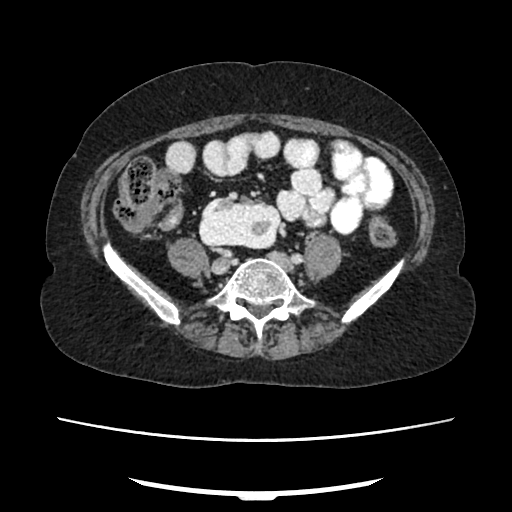
Axial slice 89 of 207 of a contrast-enhanced abdominal CT in the arterial phase (slice 1 is the lowest), 120 kVp, kernel FC18; 2.00 mm slice thickness and 0.741 mm pixels.
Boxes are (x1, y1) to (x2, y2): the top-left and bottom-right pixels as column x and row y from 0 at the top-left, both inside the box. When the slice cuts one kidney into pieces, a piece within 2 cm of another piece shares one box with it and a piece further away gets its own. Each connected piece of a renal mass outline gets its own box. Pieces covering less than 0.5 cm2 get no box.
Right kidney, box (198, 196) to (280, 248) (outlined area 3,624 px, about 19.9 cm2). This slice carries no renal mass outline.